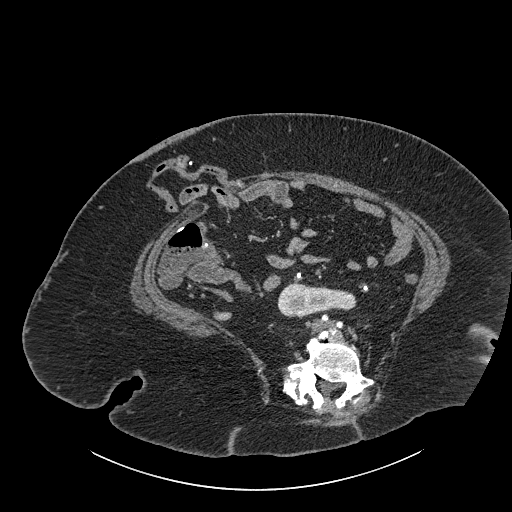
One axial slice (404 of 834, counting up from the lowest) of a contrast-enhanced abdominal CT acquired with 140 kVp, kernel I30f; each pixel is 0.977 mm and the slice is 1.00 mm thick.
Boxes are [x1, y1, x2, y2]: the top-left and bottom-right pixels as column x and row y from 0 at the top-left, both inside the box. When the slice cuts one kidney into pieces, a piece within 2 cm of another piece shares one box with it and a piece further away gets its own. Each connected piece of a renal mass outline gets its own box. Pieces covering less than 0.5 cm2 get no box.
Box [277, 283, 356, 318]: kidney crossing the body midline (outlined area 2,006 px, about 19.1 cm2). This slice carries no renal mass outline.